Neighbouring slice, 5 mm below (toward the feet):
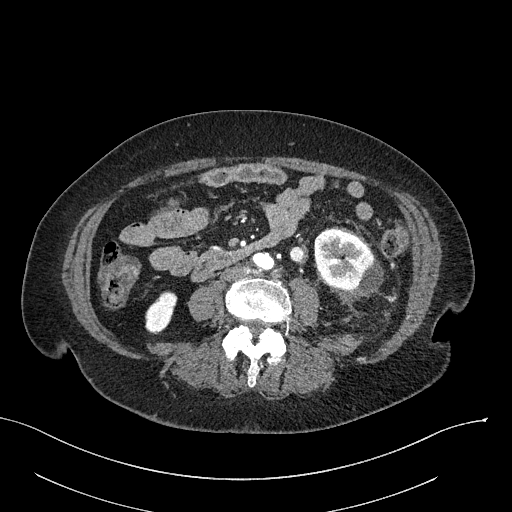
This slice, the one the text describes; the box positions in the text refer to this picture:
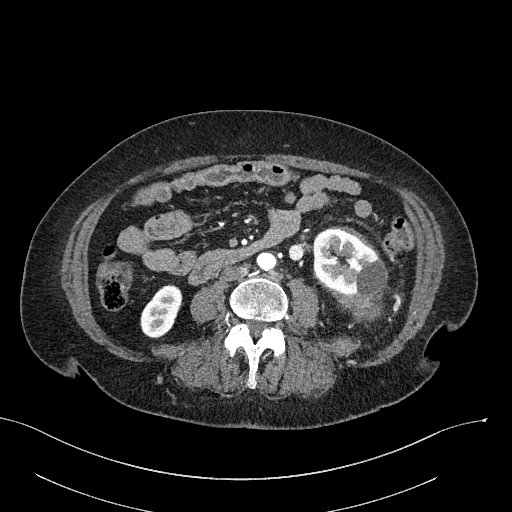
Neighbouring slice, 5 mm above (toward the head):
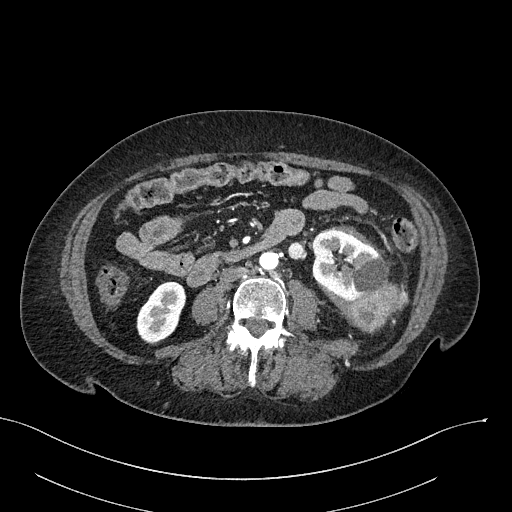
Axial slice 92 of 316 of a contrast-enhanced abdominal CT in the arterial phase (slice 1 is the lowest), 100 kVp, kernel I40f; 2.00 mm slice thickness and 0.840 mm pixels.
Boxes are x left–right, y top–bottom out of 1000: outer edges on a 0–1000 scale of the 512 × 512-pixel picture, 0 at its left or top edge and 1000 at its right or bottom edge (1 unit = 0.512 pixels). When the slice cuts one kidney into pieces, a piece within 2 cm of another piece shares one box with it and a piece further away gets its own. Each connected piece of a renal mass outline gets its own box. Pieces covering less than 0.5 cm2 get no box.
Boxed on this slice (two kidney boxes and one renal mass box), listed by box centre from the image's left to its right: (1) Box x 273–357, y 555–662 out of 1000: right kidney (outlined area 1,581 px, about 11.2 cm2). (2) Box x 611–758, y 447–600 out of 1000: left kidney (outlined area 3,910 px, about 27.6 cm2). (3) Left renal mass, box x 686–748, y 580–621 out of 1000 (outlined area 506 px, about 3.6 cm2). This slice is near the end of the left renal mass toward the feet, so the slices 5 mm below and 5 mm above it are shown as well; the boxes refer to this slice only.